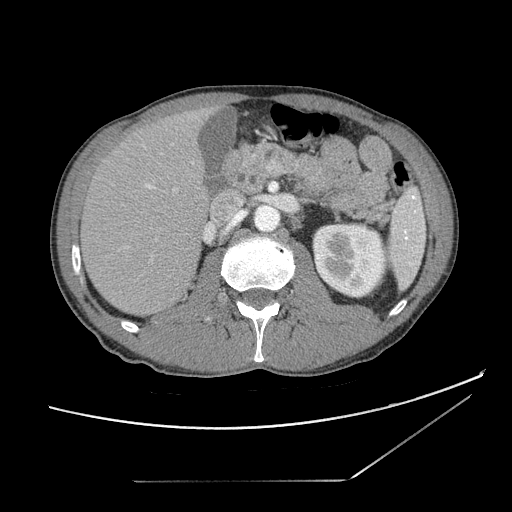
Abdominal CT with intravenous contrast, axial plane, 120 kVp, kernel STANDARD. Slice 70/121 from the bottom of the scan; thickness 2.50 mm; pixel size 0.742 mm.
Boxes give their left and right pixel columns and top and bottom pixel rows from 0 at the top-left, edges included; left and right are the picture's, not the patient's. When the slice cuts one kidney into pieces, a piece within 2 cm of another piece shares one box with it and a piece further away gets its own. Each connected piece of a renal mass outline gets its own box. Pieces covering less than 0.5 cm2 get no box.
Box with left 311, top 222, right 387, bottom 298: left kidney (outlined area 4,706 px, about 25.9 cm2). No renal mass outline on this slice.